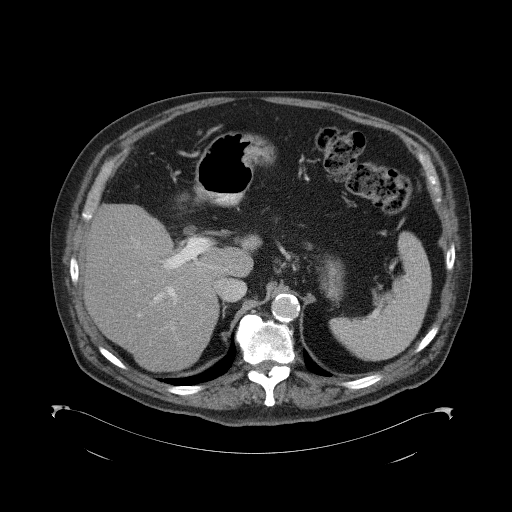
One axial slice (75 of 98, counting up from the lowest) of a contrast-enhanced abdominal CT acquired with 120 kVp, kernel B41f; each pixel is 0.965 mm and the slice is 5.00 mm thick.
Outside the outlined region: no kidney outline and no renal mass outline on this slice. The scan's outlines cover only kidneys and renal masses; no other organ is outlined.